Axial slice 318 of 553 of a contrast-enhanced abdominal CT in the arterial phase (slice 1 is the lowest), 120 kVp, kernel B20f; 1.00 mm slice thickness and 0.773 mm pixels.
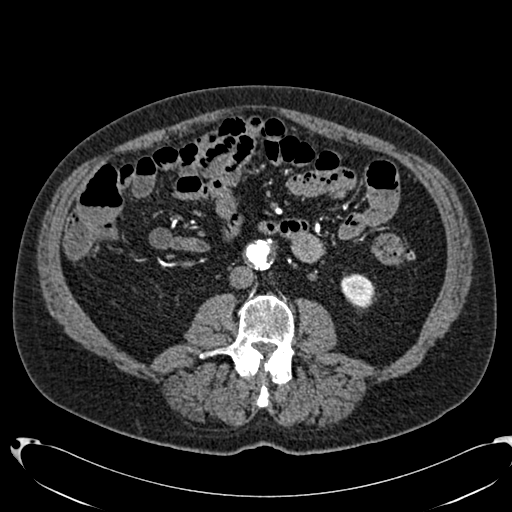
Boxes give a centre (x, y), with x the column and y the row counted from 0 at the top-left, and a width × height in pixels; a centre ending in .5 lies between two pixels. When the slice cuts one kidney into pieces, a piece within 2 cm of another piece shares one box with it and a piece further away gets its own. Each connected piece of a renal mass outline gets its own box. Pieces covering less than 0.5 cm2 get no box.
Left kidney, box centre (357, 291), 35 × 37 pixels (outlined area 926 px, about 5.5 cm2). No renal mass is outlined on this slice.